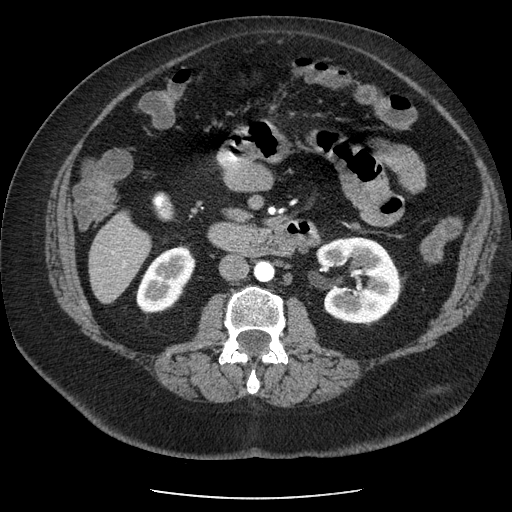
Axial slice 115 of 186 of a contrast-enhanced abdominal CT in the arterial phase (slice 1 is the lowest), 120 kVp, kernel STANDARD; 2.50 mm slice thickness and 0.742 mm pixels.
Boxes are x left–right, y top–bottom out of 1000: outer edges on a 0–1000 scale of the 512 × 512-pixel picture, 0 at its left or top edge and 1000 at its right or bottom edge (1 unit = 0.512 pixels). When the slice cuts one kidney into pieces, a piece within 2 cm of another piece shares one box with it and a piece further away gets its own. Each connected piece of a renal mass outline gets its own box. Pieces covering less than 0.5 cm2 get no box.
Boxed on this slice (two kidney boxes), listed by box centre from the image's left to its right: (1) Box x 266–383, y 479–613 out of 1000: right kidney (outlined area 2,700 px, about 14.9 cm2). (2) Box x 617–785, y 463–633 out of 1000: left kidney (outlined area 5,674 px, about 31.3 cm2). No renal mass outline on this slice.